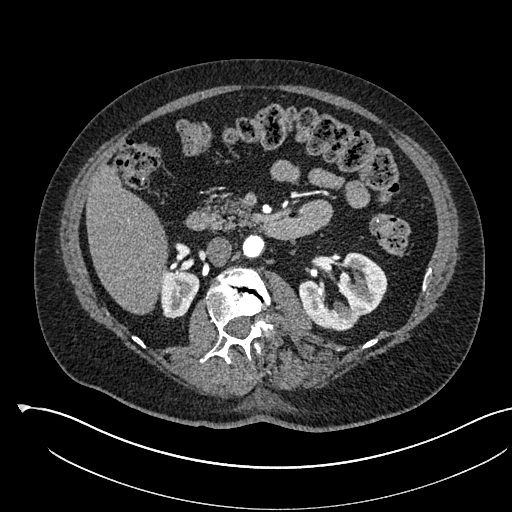
Abdominal CT with intravenous contrast, arterial phase, axial plane, 120 kVp, kernel I30f. Slice 323/541 from the bottom of the scan; thickness 1.00 mm; pixel size 0.834 mm.
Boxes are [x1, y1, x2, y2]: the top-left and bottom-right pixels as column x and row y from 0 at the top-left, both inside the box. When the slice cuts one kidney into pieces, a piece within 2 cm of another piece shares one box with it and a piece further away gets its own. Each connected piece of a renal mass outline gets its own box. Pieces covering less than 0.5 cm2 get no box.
Two kidney boxes on this slice; by box centre, from the image's left to its right: (1) Right kidney at [160, 267, 199, 318] (outlined area 1,546 px, about 10.8 cm2). (2) Left kidney, box [299, 251, 387, 330] (outlined area 4,385 px, about 30.5 cm2). This slice carries no renal mass outline.